Contrast-enhanced abdominal CT, axial slice 580 of 787 (counted from the lowest slice); tube voltage 140 kVp, convolution kernel I30f; slices 1.00 mm thick, 0.910 mm per pixel.
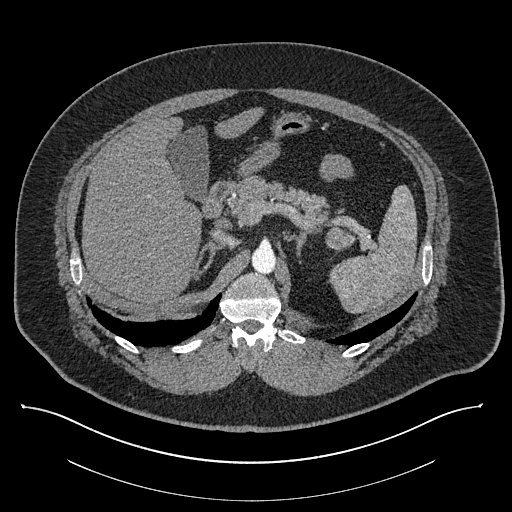
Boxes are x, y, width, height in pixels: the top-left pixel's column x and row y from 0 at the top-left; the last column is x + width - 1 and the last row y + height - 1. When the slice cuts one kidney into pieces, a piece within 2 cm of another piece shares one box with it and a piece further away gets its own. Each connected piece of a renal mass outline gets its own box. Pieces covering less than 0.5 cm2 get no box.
Box x 325, y 226, width 30, height 25: left renal mass (outlined area 536 px, about 4.4 cm2); no kidney outline appears on this slice, but the same outlined renal mass comes within 1 cm of the kidney on another slice.